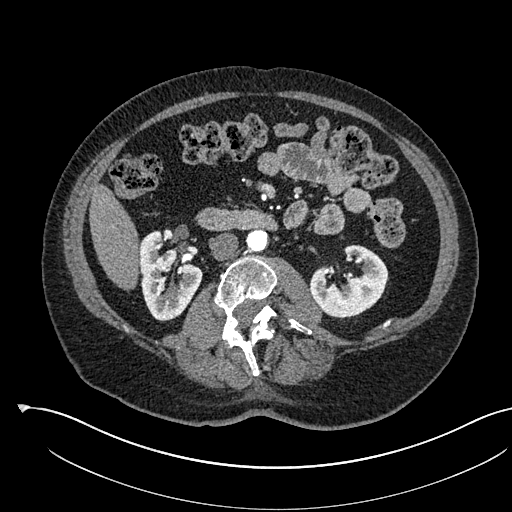
Abdominal CT with intravenous contrast, arterial phase, axial plane, 120 kVp, kernel I30f. Slice 292/541 from the bottom of the scan; thickness 1.00 mm; pixel size 0.834 mm.
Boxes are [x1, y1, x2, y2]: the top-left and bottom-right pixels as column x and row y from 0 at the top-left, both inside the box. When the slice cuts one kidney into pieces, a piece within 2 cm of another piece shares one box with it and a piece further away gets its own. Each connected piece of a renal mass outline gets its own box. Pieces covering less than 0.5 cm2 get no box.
Two boxes on this slice (two kidney boxes), listed by box centre from the image's left to its right. (1) Box [140, 230, 201, 321]: right kidney (outlined area 3,822 px, about 26.6 cm2). (2) Left kidney at [310, 244, 388, 318] (outlined area 3,720 px, about 25.9 cm2). This slice carries no renal mass outline.